Arterial-phase contrast-enhanced abdominal CT, axial slice 429 of 581 (counted from the lowest slice); tube voltage 120 kVp, convolution kernel B30f; slices 1.00 mm thick, 0.713 mm per pixel.
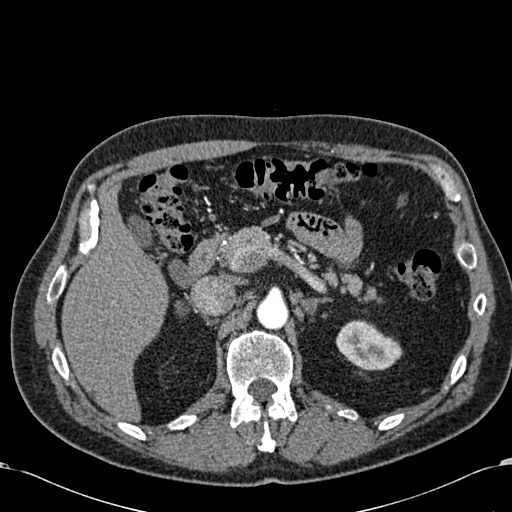
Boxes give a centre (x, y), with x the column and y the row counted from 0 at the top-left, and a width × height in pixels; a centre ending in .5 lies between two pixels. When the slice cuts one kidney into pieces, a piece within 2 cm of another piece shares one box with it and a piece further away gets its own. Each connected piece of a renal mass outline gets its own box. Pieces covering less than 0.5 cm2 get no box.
Box centre (368.5, 344.5), 68 × 52 pixels: left kidney (outlined area 2,386 px, about 12.1 cm2). This slice carries no renal mass outline.